Contrast-enhanced abdominal CT, axial slice 30 of 113 (counted from the lowest slice); tube voltage 120 kVp, convolution kernel B31f; slices 2.00 mm thick, 0.742 mm per pixel.
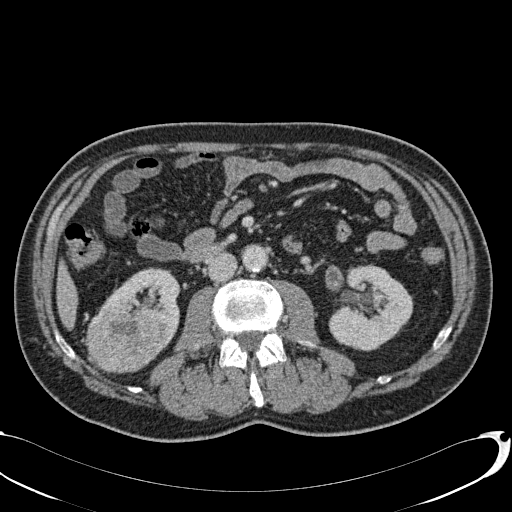
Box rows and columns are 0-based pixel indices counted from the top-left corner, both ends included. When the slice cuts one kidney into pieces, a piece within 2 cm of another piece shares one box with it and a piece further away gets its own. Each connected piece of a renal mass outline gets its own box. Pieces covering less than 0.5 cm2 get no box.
Two kidney boxes and one renal mass box on this slice; by box centre, from the image's left to its right: (1) Right renal mass at rows 309–373, columns 86–165 (outlined area 4,177 px, about 23.0 cm2). (2) Right kidney at rows 267–351, columns 98–179 (outlined area 3,043 px, about 16.8 cm2). (3) Left kidney, box rows 264–350, columns 328–413 (outlined area 5,286 px, about 29.1 cm2).